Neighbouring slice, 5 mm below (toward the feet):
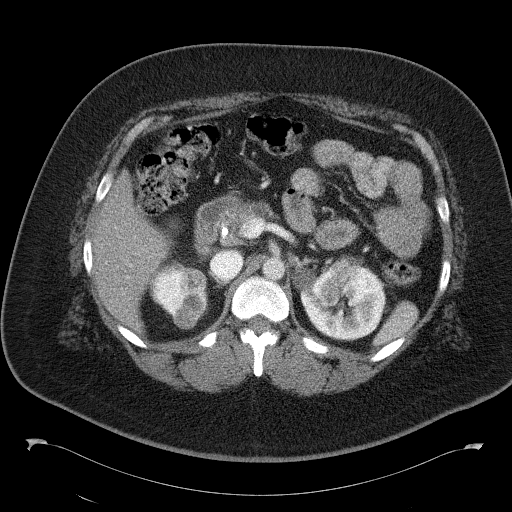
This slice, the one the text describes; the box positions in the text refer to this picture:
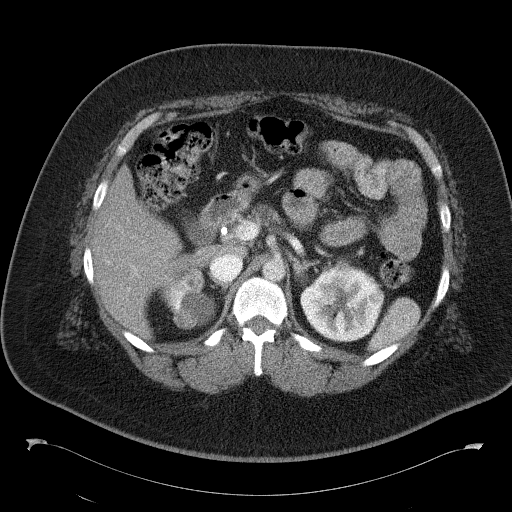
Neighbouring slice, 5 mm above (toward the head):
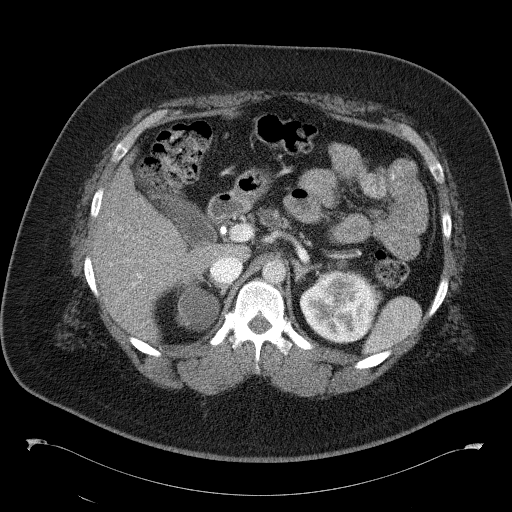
One axial slice (86 of 146, counting up from the lowest) of a contrast-enhanced abdominal CT acquired with 120 kVp, kernel B41f; each pixel is 0.840 mm and the slice is 5.00 mm thick.
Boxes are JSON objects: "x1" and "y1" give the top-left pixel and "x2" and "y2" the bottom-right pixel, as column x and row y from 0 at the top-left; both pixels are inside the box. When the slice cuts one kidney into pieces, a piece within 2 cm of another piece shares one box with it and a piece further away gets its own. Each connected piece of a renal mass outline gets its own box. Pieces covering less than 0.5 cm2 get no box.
Boxed on this slice (two kidney boxes and four renal mass boxes), listed by box centre from the image's left to its right: (1) Renal mass at {"x1": 173, "y1": 307, "x2": 197, "y2": 329} (outlined area 460 px, about 3.2 cm2). (2) Box {"x1": 163, "y1": 278, "x2": 214, "y2": 325}: kidney (outlined area 1,193 px, about 8.4 cm2). (3) Renal mass, box {"x1": 183, "y1": 269, "x2": 203, "y2": 290} (outlined area 359 px, about 2.5 cm2). (4) Renal mass, box {"x1": 315, "y1": 285, "x2": 336, "y2": 304} (outlined area 360 px, about 2.5 cm2). (5) Kidney, box {"x1": 294, "y1": 265, "x2": 384, "y2": 340} (outlined area 4,527 px, about 31.9 cm2). (6) Box {"x1": 336, "y1": 257, "x2": 350, "y2": 272}: renal mass (outlined area 171 px, about 1.2 cm2). This slice is near the end of a renal mass toward the head, so the slices 5 mm below and 5 mm above it are shown as well; the boxes refer to this slice only.